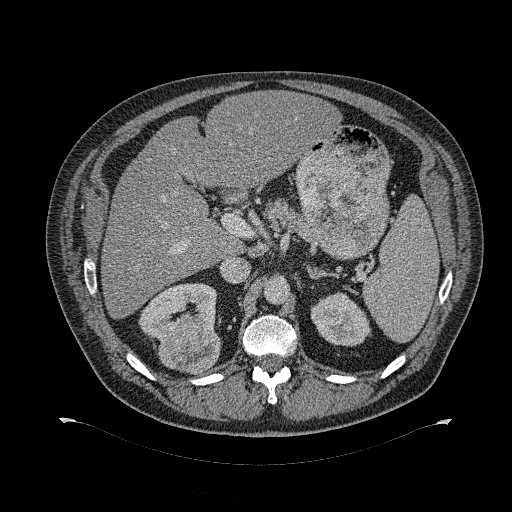
Axial slice 209 of 274 of a contrast-enhanced abdominal CT (slice 1 is the lowest), 120 kVp, kernel B31f; 2.00 mm slice thickness and 0.977 mm pixels.
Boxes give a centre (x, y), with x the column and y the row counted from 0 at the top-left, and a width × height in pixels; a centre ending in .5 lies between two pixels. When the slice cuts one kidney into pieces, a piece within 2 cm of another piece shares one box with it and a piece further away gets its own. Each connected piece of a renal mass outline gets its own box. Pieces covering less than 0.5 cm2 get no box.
Two kidney boxes and one renal mass box on this slice; by box centre, from the image's left to its right: (1) Right kidney, box centre (177, 311), 79 × 59 pixels (outlined area 2,891 px, about 27.6 cm2). (2) Right renal mass, box centre (189.5, 348), 62 × 53 pixels (outlined area 2,523 px, about 24.1 cm2). (3) Left kidney in a box with centre (340.5, 319), 62 × 55 pixels (outlined area 2,395 px, about 22.8 cm2).